One axial slice (49 of 146, counting up from the lowest) of a contrast-enhanced abdominal CT acquired with 120 kVp, kernel B31f; each pixel is 0.742 mm and the slice is 5.00 mm thick.
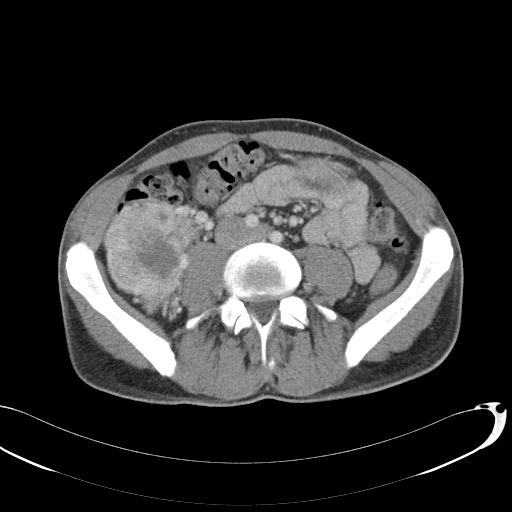
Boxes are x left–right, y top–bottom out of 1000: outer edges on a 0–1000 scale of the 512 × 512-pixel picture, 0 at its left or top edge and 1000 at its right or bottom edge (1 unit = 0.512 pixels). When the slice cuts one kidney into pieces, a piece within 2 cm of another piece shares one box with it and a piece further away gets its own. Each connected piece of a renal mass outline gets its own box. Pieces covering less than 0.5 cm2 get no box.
Right renal mass at x 201–391, y 391–617 out of 1000 (outlined area 7,575 px, about 41.7 cm2); no kidney outline appears on this slice, but the same outlined renal mass comes within 1 cm of the kidney on another slice.